One axial slice (152 of 302, counting up from the lowest) of an arterial-phase abdominal CT acquired with 100 kVp, kernel I30f; each pixel is 0.875 mm and the slice is 5.00 mm thick.
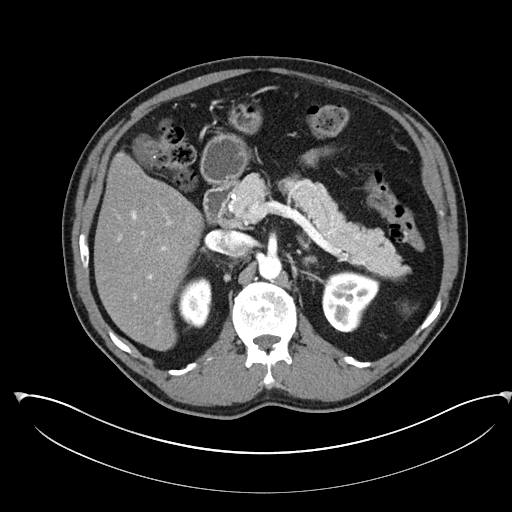
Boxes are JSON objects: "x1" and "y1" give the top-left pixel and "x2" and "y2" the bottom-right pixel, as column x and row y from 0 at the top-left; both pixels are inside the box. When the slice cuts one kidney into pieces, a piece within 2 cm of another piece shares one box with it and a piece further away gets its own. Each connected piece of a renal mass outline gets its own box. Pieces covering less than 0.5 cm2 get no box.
Two boxes on this slice (two kidney boxes), listed by box centre from the image's left to its right. (1) Box {"x1": 177, "y1": 277, "x2": 211, "y2": 327}: right kidney (outlined area 1,368 px, about 10.5 cm2). (2) Box {"x1": 322, "y1": 271, "x2": 379, "y2": 332}: left kidney (outlined area 2,611 px, about 20.0 cm2). No renal mass outline on this slice.